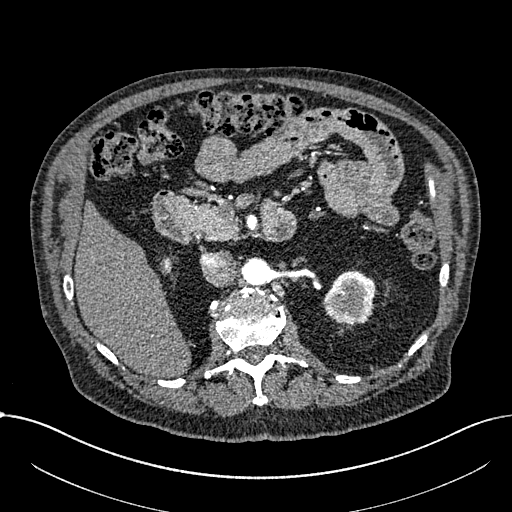
Abdominal CT with intravenous contrast, arterial phase, axial plane, 100 kVp, kernel I30f. Slice 435/1059 from the bottom of the scan; thickness 1.00 mm; pixel size 0.811 mm.
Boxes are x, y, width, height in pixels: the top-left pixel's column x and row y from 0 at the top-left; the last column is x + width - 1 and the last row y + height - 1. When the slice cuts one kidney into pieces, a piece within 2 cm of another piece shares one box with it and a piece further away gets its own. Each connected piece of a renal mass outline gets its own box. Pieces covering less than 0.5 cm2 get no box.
Two kidney boxes on this slice; by box centre, from the image's left to its right: (1) Box x 161, y 256, width 12, height 20: right part of the midline-crossing kidney (outlined area 191 px, about 1.3 cm2). (2) Left part of the midline-crossing kidney at x 322, y 269, width 54, height 58 (outlined area 2,267 px, about 14.9 cm2). This slice carries no renal mass outline.